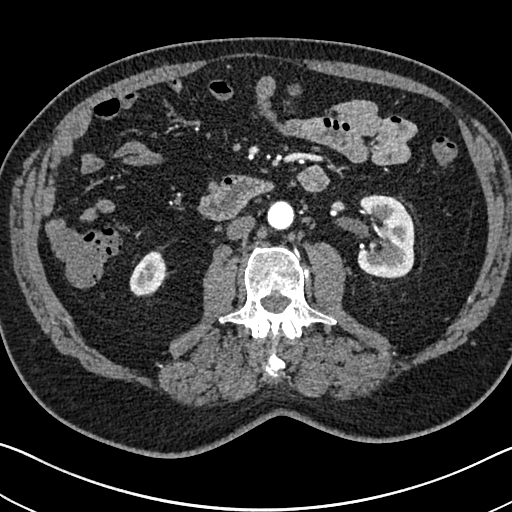
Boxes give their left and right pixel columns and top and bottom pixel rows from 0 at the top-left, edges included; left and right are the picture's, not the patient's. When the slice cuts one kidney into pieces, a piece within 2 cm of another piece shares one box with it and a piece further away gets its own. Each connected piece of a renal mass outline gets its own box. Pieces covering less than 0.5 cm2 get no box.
This is axial slice 363 of 705 (slice 1 is the lowest) of an arterial-phase abdominal CT with contrast; each pixel is 0.703 mm and the slice is 1.00 mm thick. Two boxes on this slice (two kidney boxes), listed by box centre from the image's left to its right. (1) Right kidney, the box with left 129, top 251, right 165, bottom 295 (outlined area 1,164 px, about 5.8 cm2). (2) Left kidney, the box with left 357, top 194, right 414, bottom 278 (outlined area 3,951 px, about 19.5 cm2). No renal mass outline on this slice.
Scan settings: 120 kVp, I30f reconstruction kernel.